One axial slice (53 of 83, counting up from the lowest) of an arterial-phase abdominal CT acquired with 120 kVp, kernel STANDARD; each pixel is 0.775 mm and the slice is 5.00 mm thick.
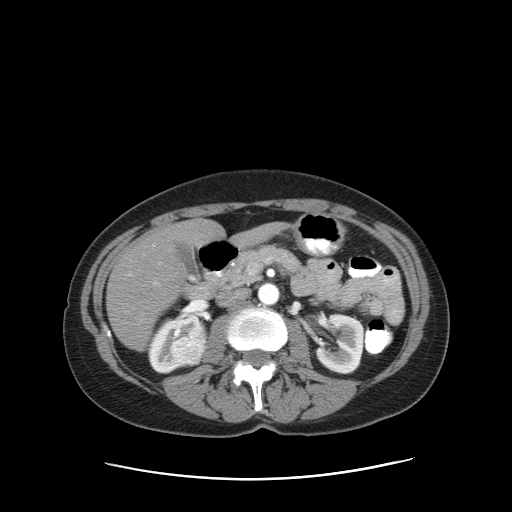
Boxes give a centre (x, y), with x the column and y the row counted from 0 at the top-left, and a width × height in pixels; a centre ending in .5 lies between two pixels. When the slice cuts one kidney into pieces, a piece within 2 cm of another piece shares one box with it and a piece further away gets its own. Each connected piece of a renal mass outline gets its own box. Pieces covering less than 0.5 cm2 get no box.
Two kidney boxes and one renal mass box on this slice; by box centre, from the image's left to its right: (1) Box centre (167.5, 344.5), 42 × 58 pixels: right kidney (outlined area 1,279 px, about 7.7 cm2). (2) Right renal mass, box centre (189.5, 340), 38 × 53 pixels (outlined area 1,488 px, about 8.9 cm2). (3) Box centre (339.5, 343.5), 50 × 62 pixels: left kidney (outlined area 2,360 px, about 14.2 cm2).